Axial slice 342 of 512 of a contrast-enhanced abdominal CT in the arterial phase (slice 1 is the lowest), 120 kVp, kernel B30f; 1.00 mm slice thickness and 0.771 mm pixels.
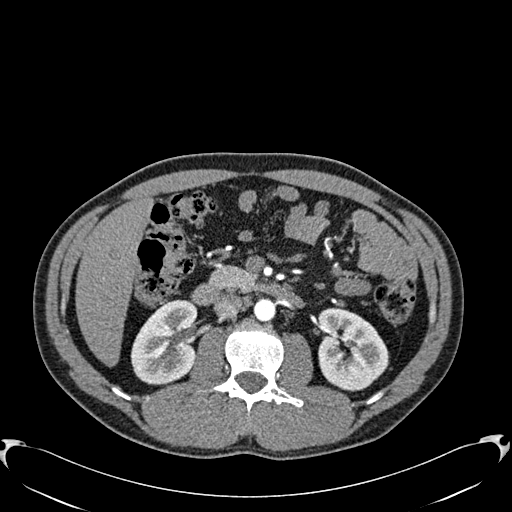
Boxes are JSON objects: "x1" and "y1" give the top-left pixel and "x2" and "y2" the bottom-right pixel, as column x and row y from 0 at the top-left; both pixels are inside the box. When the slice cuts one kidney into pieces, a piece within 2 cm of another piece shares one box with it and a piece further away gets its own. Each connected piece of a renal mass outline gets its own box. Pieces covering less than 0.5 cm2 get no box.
Boxed on this slice (two kidney boxes), listed by box centre from the image's left to its right: (1) Box {"x1": 130, "y1": 299, "x2": 197, "y2": 384}: right kidney (outlined area 4,352 px, about 25.9 cm2). (2) Left kidney at {"x1": 317, "y1": 307, "x2": 389, "y2": 391} (outlined area 4,542 px, about 27.0 cm2). No renal mass outline on this slice.